Axial slice 493 of 591 of a contrast-enhanced abdominal CT in the arterial phase (slice 1 is the lowest), 140 kVp, kernel I30f; 1.00 mm slice thickness and 0.703 mm pixels.
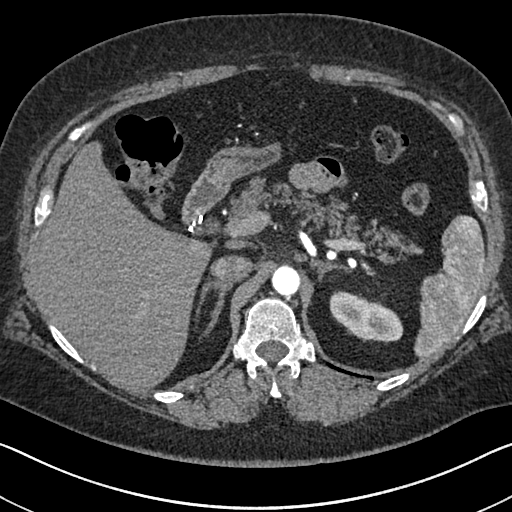
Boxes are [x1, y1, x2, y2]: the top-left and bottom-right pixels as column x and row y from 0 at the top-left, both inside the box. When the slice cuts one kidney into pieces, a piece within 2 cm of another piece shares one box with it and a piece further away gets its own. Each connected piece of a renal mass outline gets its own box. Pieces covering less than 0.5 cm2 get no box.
Left kidney at [329, 291, 403, 343] (outlined area 2,585 px, about 12.8 cm2). No renal mass is outlined on this slice.